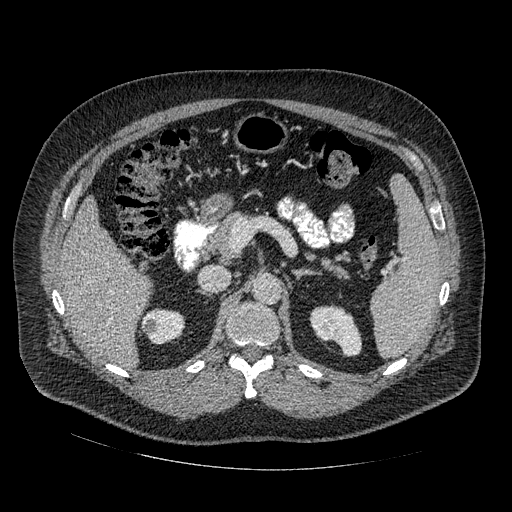
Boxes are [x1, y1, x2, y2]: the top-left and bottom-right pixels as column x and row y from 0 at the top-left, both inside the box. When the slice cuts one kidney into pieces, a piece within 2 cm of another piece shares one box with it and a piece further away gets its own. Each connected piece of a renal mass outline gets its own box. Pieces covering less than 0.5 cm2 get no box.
Slice 308/445 of a contrast-enhanced abdominal CT in the arterial phase, counting up from the lowest; pixel size 0.863 mm, slice thickness 1.25 mm. Boxed on this slice (two kidney boxes), listed by box centre from the image's left to its right: (1) Right kidney at [141, 308, 184, 343] (outlined area 1,222 px, about 9.1 cm2). (2) Left kidney, box [311, 304, 361, 356] (outlined area 1,778 px, about 13.3 cm2). No renal mass outline on this slice.
Tube voltage 120 kVp; convolution kernel STANDARD.